Arterial-phase contrast-enhanced abdominal CT, axial slice 66 of 325 (counted from the lowest slice); tube voltage 100 kVp, convolution kernel I30f; slices 1.00 mm thick, 0.703 mm per pixel.
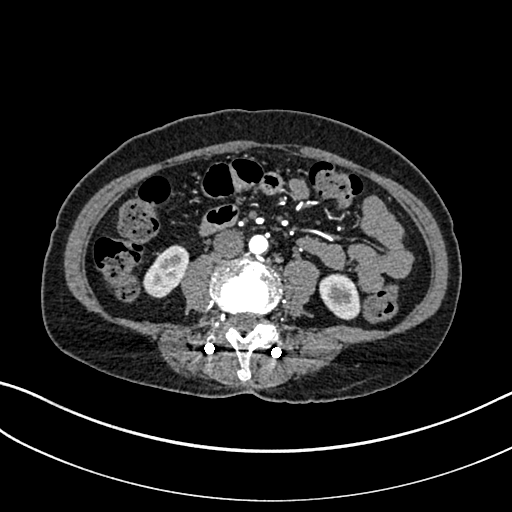
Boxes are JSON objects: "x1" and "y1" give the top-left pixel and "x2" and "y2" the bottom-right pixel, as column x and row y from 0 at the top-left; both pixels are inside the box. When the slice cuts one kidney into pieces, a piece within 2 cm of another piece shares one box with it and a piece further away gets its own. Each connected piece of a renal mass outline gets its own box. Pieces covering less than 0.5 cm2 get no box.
Two boxes on this slice (two kidney boxes), listed by box centre from the image's left to its right. (1) Right kidney, box {"x1": 142, "y1": 245, "x2": 189, "y2": 298} (outlined area 1,652 px, about 8.2 cm2). (2) Left kidney, box {"x1": 319, "y1": 273, "x2": 360, "y2": 320} (outlined area 1,467 px, about 7.3 cm2). No renal mass is outlined on this slice.